One axial slice (55 of 101, counting up from the lowest) of an arterial-phase abdominal CT acquired with 120 kVp, kernel FC14; each pixel is 0.755 mm and the slice is 5.00 mm thick.
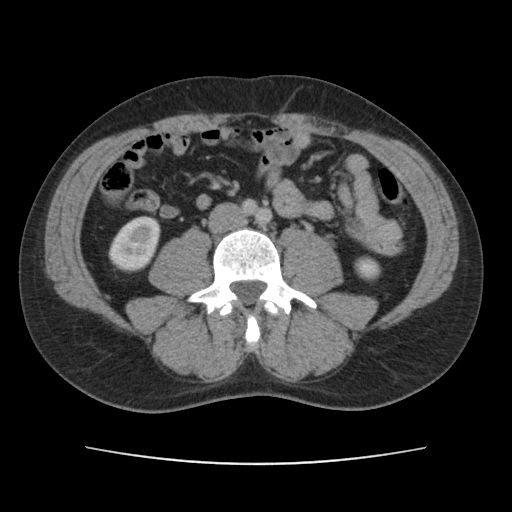
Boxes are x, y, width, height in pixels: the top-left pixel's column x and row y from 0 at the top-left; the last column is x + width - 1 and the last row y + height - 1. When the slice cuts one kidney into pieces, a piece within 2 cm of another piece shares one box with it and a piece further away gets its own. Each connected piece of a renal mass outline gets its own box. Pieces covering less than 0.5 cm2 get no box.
Boxed on this slice (two kidney boxes), listed by box centre from the image's left to its right: (1) Right kidney, box x 108, y 216, width 53, height 57 (outlined area 2,197 px, about 12.5 cm2). (2) Left kidney at x 354, y 256, width 27, height 25 (outlined area 518 px, about 3.0 cm2). No renal mass is outlined on this slice.